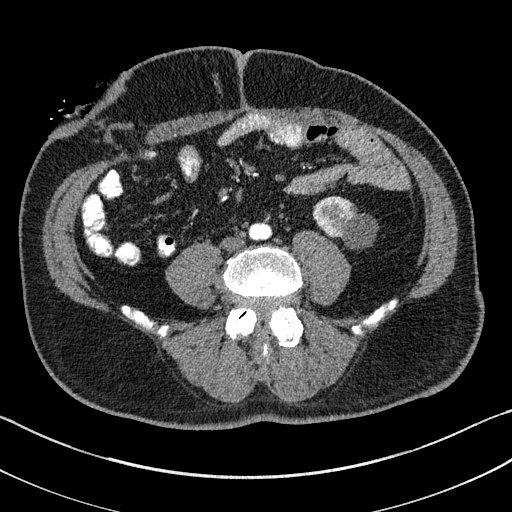
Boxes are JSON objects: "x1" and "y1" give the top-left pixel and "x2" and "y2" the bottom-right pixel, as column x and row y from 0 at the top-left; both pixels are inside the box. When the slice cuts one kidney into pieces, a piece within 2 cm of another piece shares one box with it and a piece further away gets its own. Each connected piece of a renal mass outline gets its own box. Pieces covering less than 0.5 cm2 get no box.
Arterial-phase contrast-enhanced abdominal CT, axial slice 31 of 195 (counted from the lowest slice); 1.50 mm thick, 0.707 mm per pixel. Left kidney at {"x1": 313, "y1": 196, "x2": 376, "y2": 247} (outlined area 2,087 px, about 10.4 cm2). This slice carries no renal mass outline.
Scan settings: 100 kVp, I31f reconstruction kernel.